Arterial-phase contrast-enhanced abdominal CT, axial slice 308 of 705 (counted from the lowest slice); tube voltage 120 kVp, convolution kernel I30f; slices 1.00 mm thick, 0.703 mm per pixel.
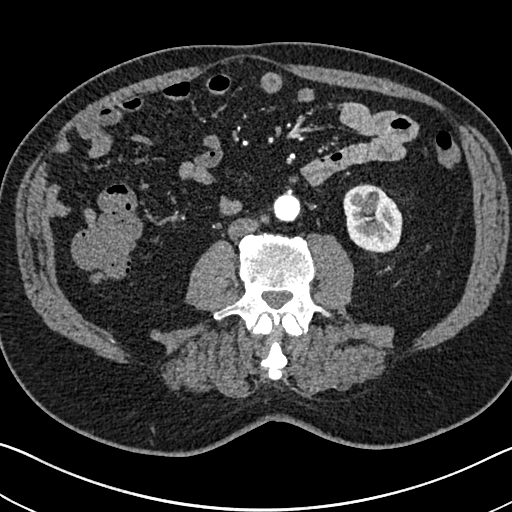
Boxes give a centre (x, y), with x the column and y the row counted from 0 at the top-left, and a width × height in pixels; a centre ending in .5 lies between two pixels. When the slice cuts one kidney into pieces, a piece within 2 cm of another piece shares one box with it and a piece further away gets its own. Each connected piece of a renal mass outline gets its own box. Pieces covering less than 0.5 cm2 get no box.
Left kidney in a box with centre (372.5, 218), 60 × 71 pixels (outlined area 3,241 px, about 16.0 cm2). No renal mass outline on this slice.